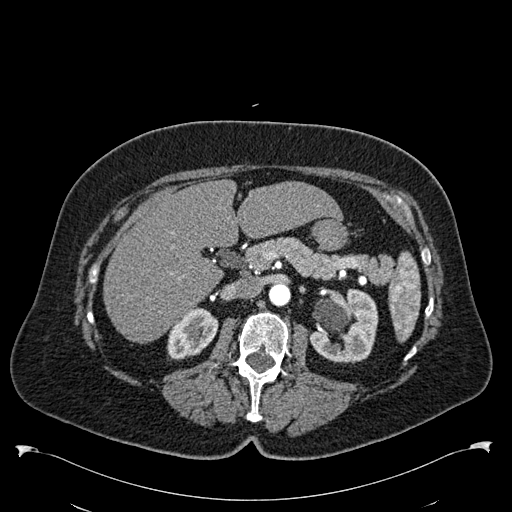
Axial slice 355 of 538 of a contrast-enhanced abdominal CT in the arterial phase (slice 1 is the lowest), 120 kVp, kernel B30f; 1.00 mm slice thickness and 0.811 mm pixels.
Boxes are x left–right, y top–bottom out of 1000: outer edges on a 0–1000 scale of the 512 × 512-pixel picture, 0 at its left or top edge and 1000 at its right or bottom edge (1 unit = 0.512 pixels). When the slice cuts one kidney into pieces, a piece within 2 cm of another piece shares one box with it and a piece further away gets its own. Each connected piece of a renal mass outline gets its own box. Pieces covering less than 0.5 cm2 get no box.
Two boxes on this slice (two kidney boxes), listed by box centre from the image's left to its right. (1) Box x 326–428, y 598–705 out of 1000: right kidney (outlined area 1,893 px, about 12.4 cm2). (2) Box x 604–740, y 563–709 out of 1000: left kidney (outlined area 3,826 px, about 25.1 cm2). This slice carries no renal mass outline.